Abdominal CT with intravenous contrast, axial plane, 120 kVp, kernel I40f. Slice 43/301 from the bottom of the scan; thickness 2.00 mm; pixel size 0.859 mm.
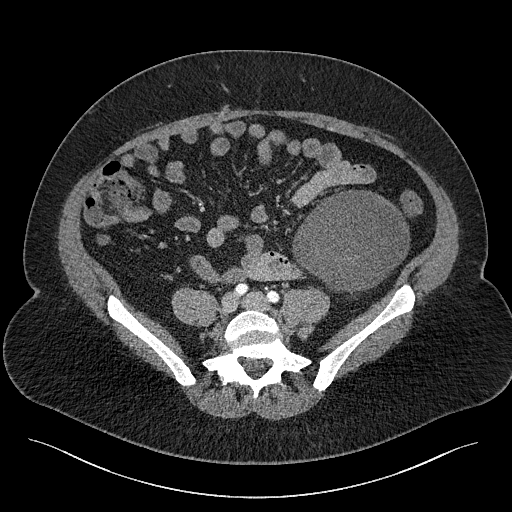
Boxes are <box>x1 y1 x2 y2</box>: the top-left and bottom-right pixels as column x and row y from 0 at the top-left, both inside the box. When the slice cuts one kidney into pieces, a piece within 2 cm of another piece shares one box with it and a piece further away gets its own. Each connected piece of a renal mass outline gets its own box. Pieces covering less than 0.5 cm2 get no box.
At <box>292 190 410 295</box>: left renal mass (outlined area 8,920 px, about 65.9 cm2); no kidney outline appears on this slice, but the same outlined renal mass comes within 1 cm of the kidney on another slice.